Abdominal CT with intravenous contrast, axial plane, 140 kVp, kernel I30f. Slice 344/787 from the bottom of the scan; thickness 1.00 mm; pixel size 0.910 mm.
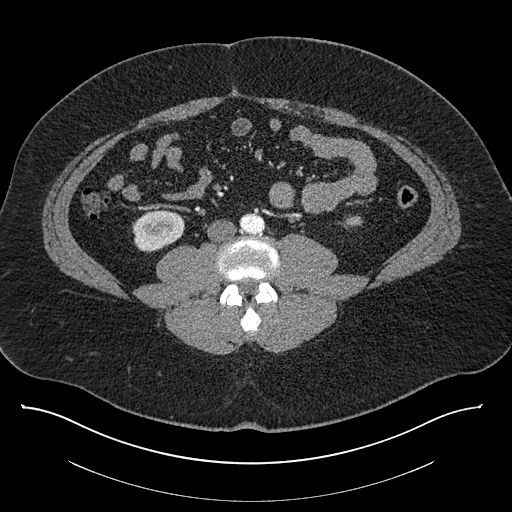
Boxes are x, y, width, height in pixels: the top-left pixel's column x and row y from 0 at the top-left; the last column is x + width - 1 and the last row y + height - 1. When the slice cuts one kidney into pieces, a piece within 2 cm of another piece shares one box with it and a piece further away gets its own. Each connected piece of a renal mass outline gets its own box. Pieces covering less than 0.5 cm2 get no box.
Two boxes on this slice (two kidney boxes), listed by box centre from the image's left to its right. (1) Right kidney at x 132, y 209, width 53, height 44 (outlined area 1,740 px, about 14.4 cm2). (2) Left kidney at x 340, y 215, width 24, height 15 (outlined area 208 px, about 1.7 cm2). No renal mass is outlined on this slice.